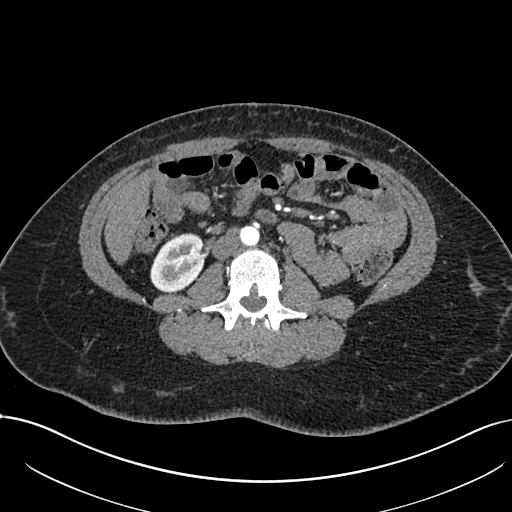
One axial slice (340 of 738, counting up from the lowest) of an arterial-phase abdominal CT acquired with 120 kVp, kernel I30f; each pixel is 0.789 mm and the slice is 1.00 mm thick.
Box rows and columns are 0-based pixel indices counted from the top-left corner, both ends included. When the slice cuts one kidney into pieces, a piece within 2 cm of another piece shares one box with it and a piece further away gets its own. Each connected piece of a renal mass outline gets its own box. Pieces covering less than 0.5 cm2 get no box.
Box rows 233–292, columns 150–204: right kidney (outlined area 2,431 px, about 15.1 cm2). No renal mass is outlined on this slice.